Contrast-enhanced abdominal CT, axial slice 39 of 105 (counted from the lowest slice); tube voltage 120 kVp, convolution kernel B; slices 3.00 mm thick, 0.977 mm per pixel.
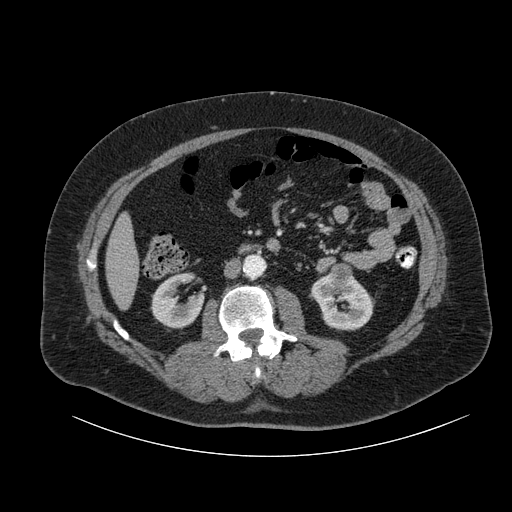
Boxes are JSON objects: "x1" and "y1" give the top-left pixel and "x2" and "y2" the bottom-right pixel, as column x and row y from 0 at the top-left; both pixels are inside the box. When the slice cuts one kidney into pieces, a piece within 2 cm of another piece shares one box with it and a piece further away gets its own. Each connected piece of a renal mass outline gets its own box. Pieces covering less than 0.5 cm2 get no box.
Two kidney boxes and one renal mass box on this slice; by box centre, from the image's left to its right: (1) Right kidney at {"x1": 152, "y1": 272, "x2": 205, "y2": 328} (outlined area 2,034 px, about 19.4 cm2). (2) Box {"x1": 330, "y1": 262, "x2": 352, "y2": 289}: left renal mass (outlined area 530 px, about 5.1 cm2). (3) Left kidney, box {"x1": 310, "y1": 272, "x2": 373, "y2": 330} (outlined area 2,399 px, about 22.9 cm2).